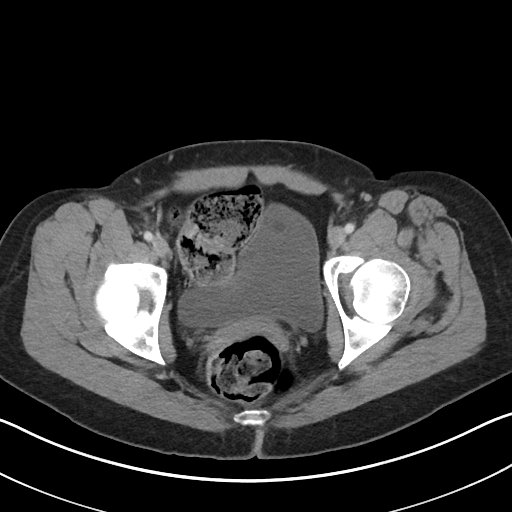
Axial slice 21 of 90 of a contrast-enhanced abdominal CT in the arterial phase (slice 1 is the lowest), 100 kVp, kernel I40f; 5.00 mm slice thickness and 0.703 mm pixels.
Outside the outlined region: no kidney outline and no renal mass outline on this slice. The scan's outlines cover only kidneys and renal masses; no other organ is outlined.